Abdominal CT with intravenous contrast, axial plane, 140 kVp, kernel I30f. Slice 644/834 from the bottom of the scan; thickness 1.00 mm; pixel size 0.977 mm.
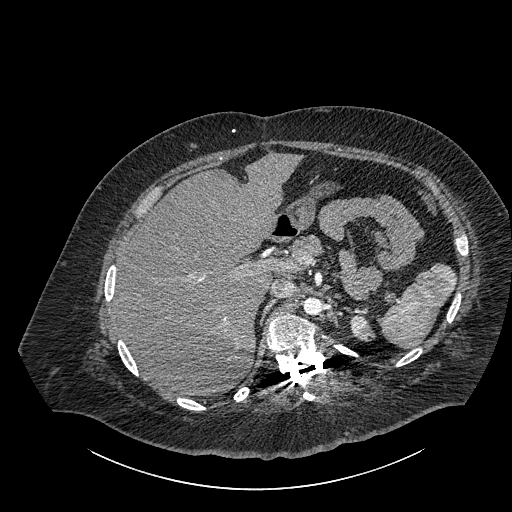
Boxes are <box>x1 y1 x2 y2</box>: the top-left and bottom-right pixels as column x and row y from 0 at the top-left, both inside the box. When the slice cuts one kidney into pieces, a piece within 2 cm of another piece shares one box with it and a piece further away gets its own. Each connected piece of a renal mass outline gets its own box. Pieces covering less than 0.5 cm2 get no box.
Left part of the midline-crossing kidney: <box>349 313 375 341</box> (outlined area 509 px, about 4.9 cm2). No renal mass is outlined on this slice.